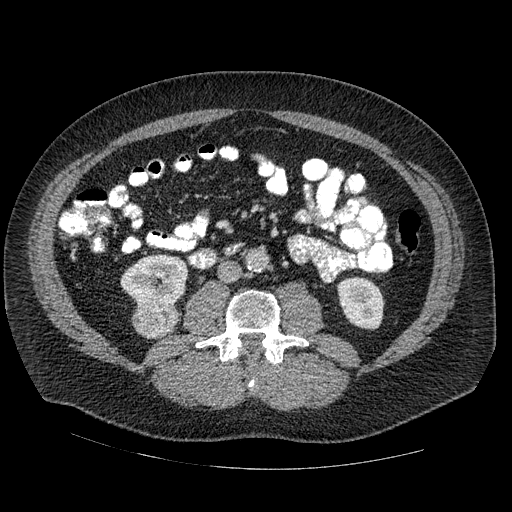
One axial slice (245 of 445, counting up from the lowest) of an arterial-phase abdominal CT acquired with 120 kVp, kernel STANDARD; each pixel is 0.863 mm and the slice is 1.25 mm thick.
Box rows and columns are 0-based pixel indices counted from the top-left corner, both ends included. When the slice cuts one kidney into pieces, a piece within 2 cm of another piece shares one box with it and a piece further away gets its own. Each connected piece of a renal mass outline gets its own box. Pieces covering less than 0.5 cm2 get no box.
Boxed on this slice (two kidney boxes and one renal mass box), listed by box centre from the image's left to its right: (1) Right kidney, box rows 254–308, columns 120–188 (outlined area 2,758 px, about 20.6 cm2). (2) Box rows 302–338, columns 131–180: right renal mass (outlined area 1,419 px, about 10.6 cm2). (3) Left kidney, box rows 277–330, columns 337–384 (outlined area 1,967 px, about 14.7 cm2).